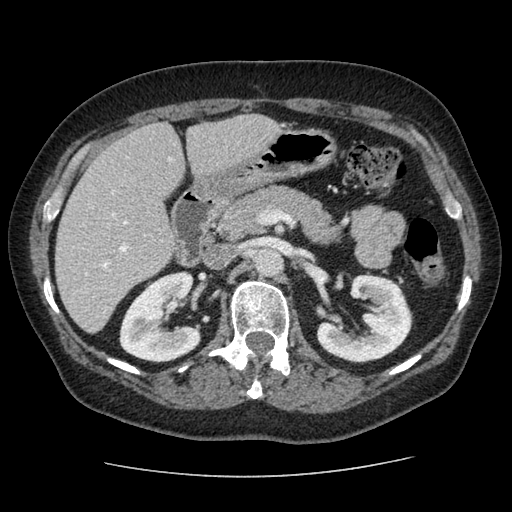
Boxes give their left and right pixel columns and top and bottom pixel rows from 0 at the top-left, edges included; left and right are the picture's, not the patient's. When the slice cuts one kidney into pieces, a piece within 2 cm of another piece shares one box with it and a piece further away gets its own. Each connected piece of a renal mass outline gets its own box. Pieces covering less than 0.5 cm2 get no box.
Slice 56/96 of a contrast-enhanced abdominal CT in the arterial phase, counting up from the lowest; pixel size 0.689 mm, slice thickness 2.50 mm. Boxed on this slice (two kidney boxes), listed by box centre from the image's left to its right: (1) Right kidney, the box with left 119, top 271, right 201, bottom 362 (outlined area 5,284 px, about 25.1 cm2). (2) Left kidney, the box with left 317, top 274, right 413, bottom 362 (outlined area 5,387 px, about 25.6 cm2). No renal mass outline on this slice.
Scan settings: 120 kVp, STANDARD reconstruction kernel.